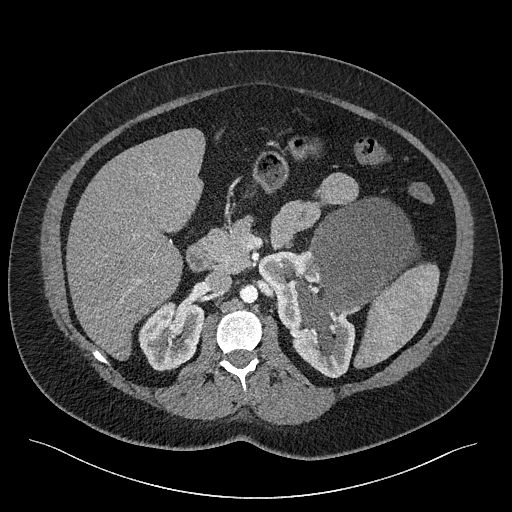
Axial slice 148 of 301 of a contrast-enhanced abdominal CT (slice 1 is the lowest), 120 kVp, kernel I40f; 2.00 mm slice thickness and 0.859 mm pixels.
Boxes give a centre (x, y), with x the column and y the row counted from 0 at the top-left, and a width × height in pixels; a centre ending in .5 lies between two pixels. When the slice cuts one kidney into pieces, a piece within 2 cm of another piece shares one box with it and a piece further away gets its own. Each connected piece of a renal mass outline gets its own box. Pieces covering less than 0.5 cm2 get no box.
Boxed on this slice (two kidney boxes and one renal mass box), listed by box centre from the image's left to its right: (1) Right kidney in a box with centre (171, 335.5), 67 × 72 pixels (outlined area 3,461 px, about 25.6 cm2). (2) Left kidney in a box with centre (306.5, 314), 98 × 129 pixels (outlined area 5,073 px, about 37.5 cm2). (3) Left renal mass in a box with centre (354.5, 267), 128 × 141 pixels (outlined area 10,332 px, about 76.3 cm2).